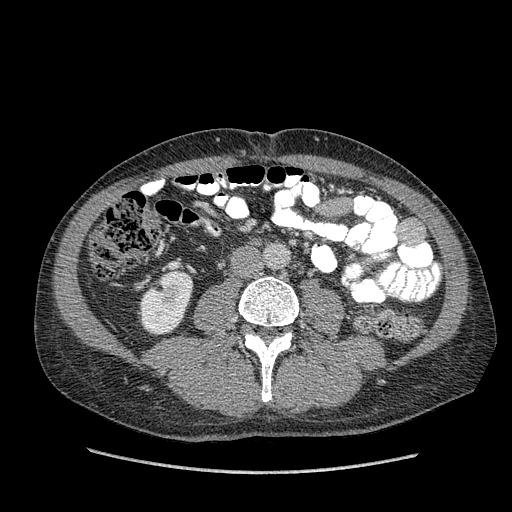
One axial slice (164 of 349, counting up from the lowest) of an arterial-phase abdominal CT acquired with 120 kVp, kernel STANDARD; each pixel is 0.742 mm and the slice is 1.25 mm thick.
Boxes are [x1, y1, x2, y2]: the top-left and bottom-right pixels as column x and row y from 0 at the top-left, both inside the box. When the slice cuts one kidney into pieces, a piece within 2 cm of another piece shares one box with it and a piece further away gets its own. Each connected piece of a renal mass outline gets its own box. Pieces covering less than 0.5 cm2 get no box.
Right kidney at [138, 270, 193, 335] (outlined area 2,632 px, about 14.5 cm2). No renal mass outline on this slice.